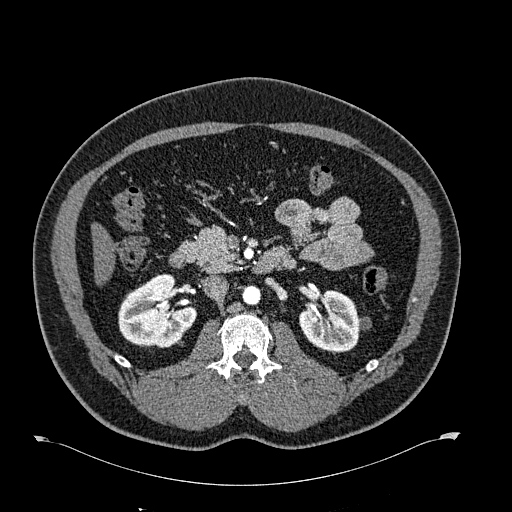
One axial slice (371 of 723, counting up from the lowest) of an arterial-phase abdominal CT acquired with 120 kVp, kernel B30f; each pixel is 0.895 mm and the slice is 1.00 mm thick.
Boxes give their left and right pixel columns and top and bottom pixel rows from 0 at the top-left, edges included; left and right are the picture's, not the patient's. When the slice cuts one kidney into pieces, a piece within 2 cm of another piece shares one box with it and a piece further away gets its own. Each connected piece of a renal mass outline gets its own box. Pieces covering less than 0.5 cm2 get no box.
Two boxes on this slice (two kidney boxes), listed by box centre from the image's left to its right. (1) Right kidney in the box with left 118, top 273, right 196, bottom 347 (outlined area 4,204 px, about 33.6 cm2). (2) Left kidney in the box with left 299, top 289, right 371, bottom 351 (outlined area 2,986 px, about 23.9 cm2). No renal mass is outlined on this slice.